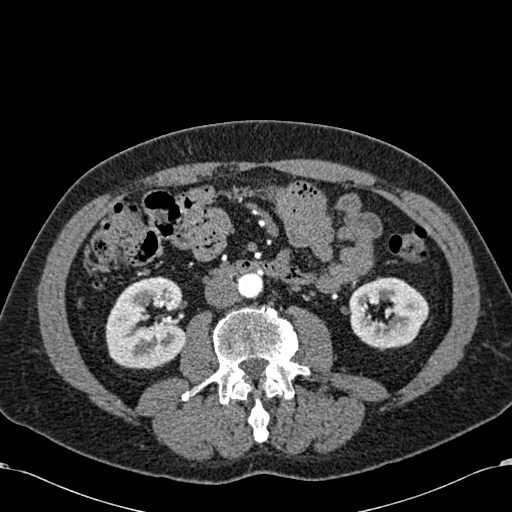
Axial slice 286 of 581 of a contrast-enhanced abdominal CT in the arterial phase (slice 1 is the lowest), 120 kVp, kernel B30f; 1.00 mm slice thickness and 0.713 mm pixels.
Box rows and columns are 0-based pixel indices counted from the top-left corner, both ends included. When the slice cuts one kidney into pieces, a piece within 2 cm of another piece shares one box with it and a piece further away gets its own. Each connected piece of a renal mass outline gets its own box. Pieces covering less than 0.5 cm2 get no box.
Two kidney boxes on this slice; by box centre, from the image's left to its right: (1) Right kidney at rows 276–368, columns 105–186 (outlined area 5,838 px, about 29.7 cm2). (2) Left kidney, box rows 277–349, columns 348–428 (outlined area 4,264 px, about 21.7 cm2). This slice carries no renal mass outline.